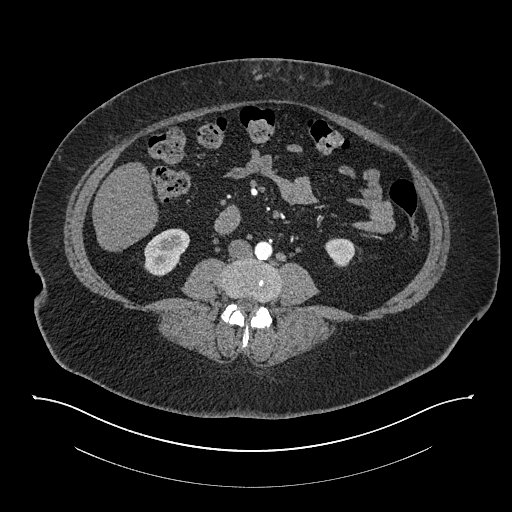
Abdominal CT with intravenous contrast, arterial phase, axial plane, 140 kVp, kernel I30f. Slice 353/673 from the bottom of the scan; thickness 1.00 mm; pixel size 0.957 mm.
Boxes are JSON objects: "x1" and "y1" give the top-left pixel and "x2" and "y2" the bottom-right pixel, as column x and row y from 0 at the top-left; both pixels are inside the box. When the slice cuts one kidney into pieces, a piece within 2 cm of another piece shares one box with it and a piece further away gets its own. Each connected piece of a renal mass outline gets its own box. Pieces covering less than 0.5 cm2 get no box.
Two boxes on this slice (two kidney boxes), listed by box centre from the image's left to its right. (1) Box {"x1": 144, "y1": 228, "x2": 190, "y2": 276}: right kidney (outlined area 1,580 px, about 14.5 cm2). (2) Left kidney at {"x1": 324, "y1": 238, "x2": 355, "y2": 267} (outlined area 679 px, about 6.2 cm2). This slice carries no renal mass outline.